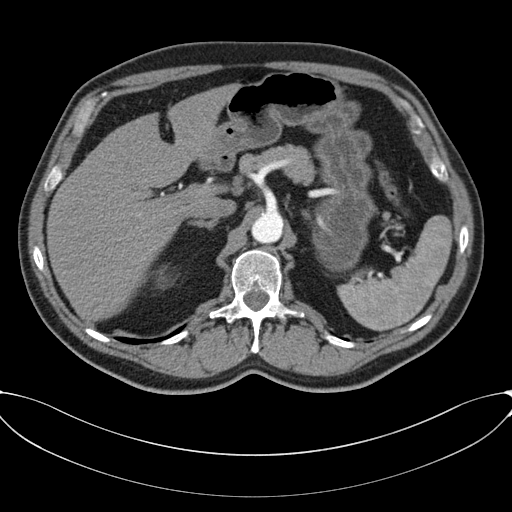
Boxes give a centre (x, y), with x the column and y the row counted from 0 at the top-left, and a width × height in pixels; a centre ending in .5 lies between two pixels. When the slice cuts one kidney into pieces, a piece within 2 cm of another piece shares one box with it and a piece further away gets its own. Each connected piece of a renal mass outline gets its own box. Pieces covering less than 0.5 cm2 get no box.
Contrast-enhanced abdominal CT, axial slice 51 of 80 (counted from the lowest slice); 3.00 mm thick, 0.822 mm per pixel. Right kidney, box centre (164, 277.5), 21 × 24 pixels (outlined area 252 px, about 1.7 cm2). No renal mass outline on this slice.
Acquired at 120 kVp and reconstructed with the B30f kernel.